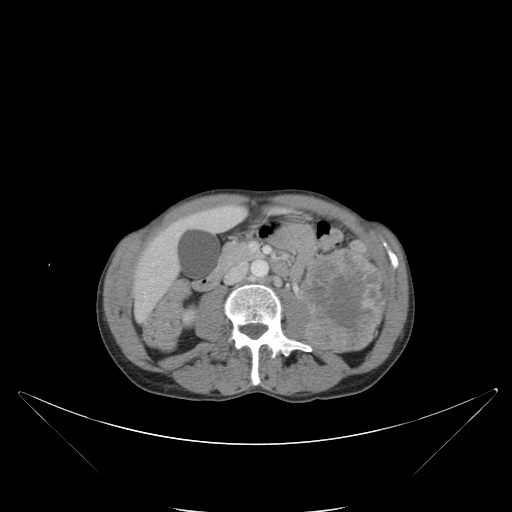
Contrast-enhanced abdominal CT, axial slice 54 of 88 (counted from the lowest slice); tube voltage 120 kVp, convolution kernel B; slices 5.00 mm thick, 0.865 mm per pixel.
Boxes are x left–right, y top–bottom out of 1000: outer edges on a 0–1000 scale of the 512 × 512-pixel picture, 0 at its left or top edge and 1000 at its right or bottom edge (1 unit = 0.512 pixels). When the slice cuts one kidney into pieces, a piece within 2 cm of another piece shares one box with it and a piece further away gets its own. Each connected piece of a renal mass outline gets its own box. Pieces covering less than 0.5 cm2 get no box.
Two boxes on this slice (one kidney box and one renal mass box), listed by box centre from the image's left to its right. (1) Right kidney, box x 354–391, y 592–645 out of 1000 (outlined area 362 px, about 2.7 cm2). (2) Box x 584–750, y 484–691 out of 1000: left renal mass (outlined area 7,077 px, about 53.0 cm2); it sits over 1 cm from every kidney outline on this slice, but the same outlined renal mass comes within 1 cm of the kidney on another slice.